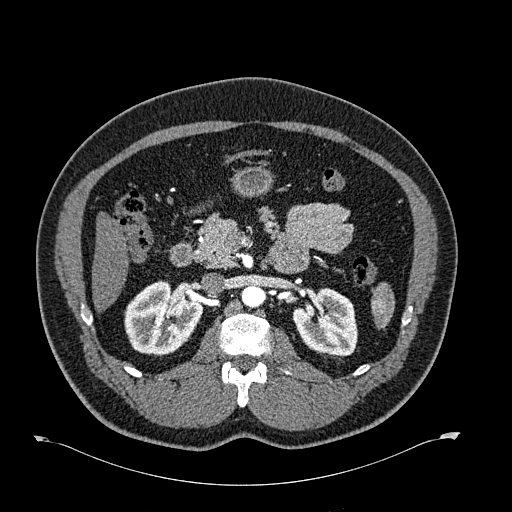
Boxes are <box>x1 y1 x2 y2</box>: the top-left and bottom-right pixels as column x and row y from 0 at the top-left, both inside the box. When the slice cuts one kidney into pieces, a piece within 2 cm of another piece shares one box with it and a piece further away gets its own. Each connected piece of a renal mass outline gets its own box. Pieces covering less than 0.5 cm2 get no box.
Arterial-phase contrast-enhanced abdominal CT, axial slice 396 of 723 (counted from the lowest slice); 1.00 mm thick, 0.895 mm per pixel. Two boxes on this slice (two kidney boxes), listed by box centre from the image's left to its right. (1) At <box>124 280 203 355</box>: right kidney (outlined area 4,343 px, about 34.8 cm2). (2) At <box>292 287 357 357</box>: left kidney (outlined area 3,377 px, about 27.0 cm2). No renal mass is outlined on this slice.
Acquired at 120 kVp and reconstructed with the B30f kernel.